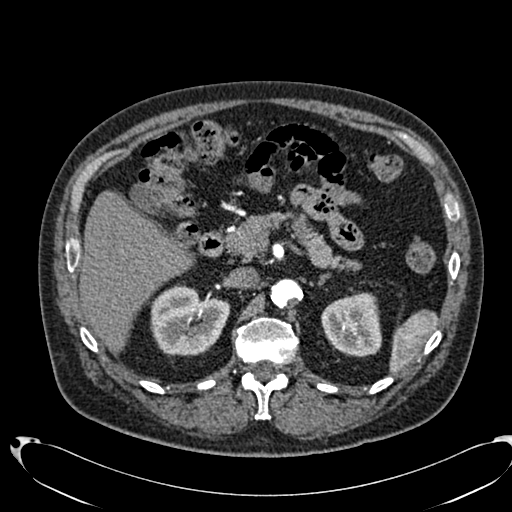
One axial slice (463 of 553, counting up from the lowest) of an arterial-phase abdominal CT acquired with 120 kVp, kernel B20f; each pixel is 0.773 mm and the slice is 1.00 mm thick.
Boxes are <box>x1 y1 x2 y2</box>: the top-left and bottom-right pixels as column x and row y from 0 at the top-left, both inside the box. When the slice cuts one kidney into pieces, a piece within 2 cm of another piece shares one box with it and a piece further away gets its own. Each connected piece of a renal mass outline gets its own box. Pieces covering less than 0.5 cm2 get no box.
Boxed on this slice (two kidney boxes), listed by box centre from the image's left to its right: (1) Right kidney: <box>150 284 230 356</box> (outlined area 4,357 px, about 26.1 cm2). (2) Left kidney at <box>321 292 381 356</box> (outlined area 3,081 px, about 18.4 cm2). No renal mass outline on this slice.